Abdominal CT with intravenous contrast, arterial phase, axial plane, 120 kVp, kernel I30f. Slice 372/683 from the bottom of the scan; thickness 1.00 mm; pixel size 0.738 mm.
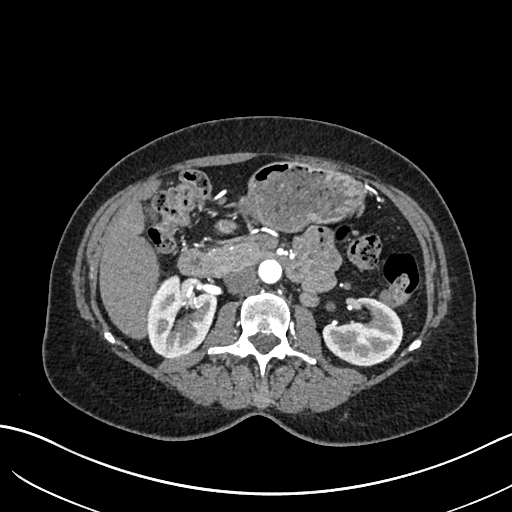
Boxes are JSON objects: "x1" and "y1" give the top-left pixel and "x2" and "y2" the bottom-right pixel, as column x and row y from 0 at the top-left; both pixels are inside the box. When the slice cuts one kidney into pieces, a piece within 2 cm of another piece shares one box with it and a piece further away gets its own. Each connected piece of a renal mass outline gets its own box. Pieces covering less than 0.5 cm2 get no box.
Two kidney boxes on this slice; by box centre, from the image's left to its right: (1) Right kidney, box {"x1": 146, "y1": 275, "x2": 217, "y2": 358} (outlined area 4,326 px, about 23.6 cm2). (2) Left kidney, box {"x1": 323, "y1": 296, "x2": 402, "y2": 366} (outlined area 3,695 px, about 20.1 cm2). No renal mass is outlined on this slice.